Contrast-enhanced abdominal CT, axial slice 61 of 113 (counted from the lowest slice); tube voltage 120 kVp, convolution kernel B31f; slices 2.00 mm thick, 0.742 mm per pixel.
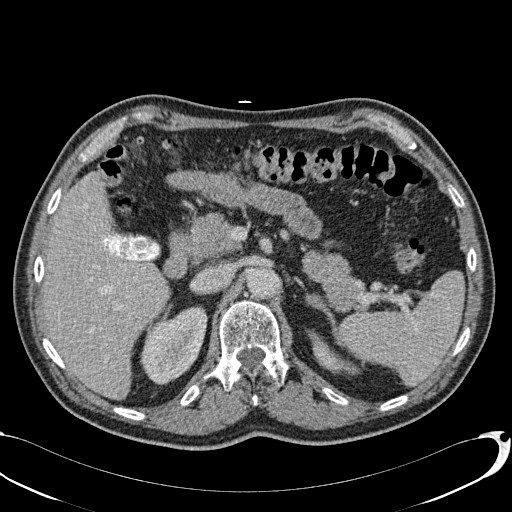
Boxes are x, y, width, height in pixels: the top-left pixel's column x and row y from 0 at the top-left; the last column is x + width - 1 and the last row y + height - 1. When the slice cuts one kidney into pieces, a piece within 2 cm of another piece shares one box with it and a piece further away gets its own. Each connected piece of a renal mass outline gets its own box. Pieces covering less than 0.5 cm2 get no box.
Boxed on this slice (two kidney boxes), listed by box centre from the image's left to its right: (1) Box x 141, y 305, width 67, height 81: right kidney (outlined area 3,637 px, about 20.0 cm2). (2) Left kidney at x 306, y 329, width 55, height 47 (outlined area 1,020 px, about 5.6 cm2). No renal mass is outlined on this slice.